Axial slice 258 of 439 of a contrast-enhanced abdominal CT (slice 1 is the lowest), 100 kVp, kernel I40f; 2.00 mm slice thickness and 0.850 mm pixels.
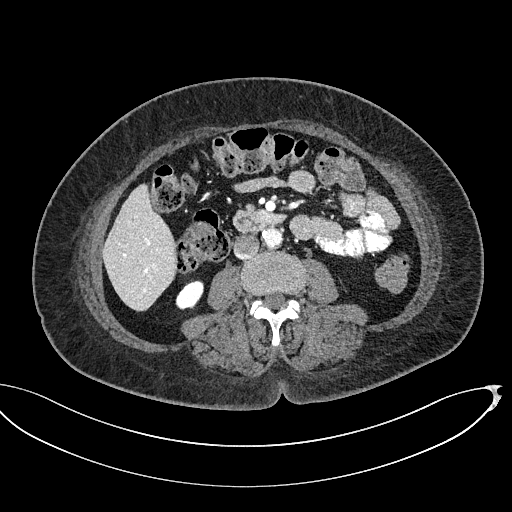
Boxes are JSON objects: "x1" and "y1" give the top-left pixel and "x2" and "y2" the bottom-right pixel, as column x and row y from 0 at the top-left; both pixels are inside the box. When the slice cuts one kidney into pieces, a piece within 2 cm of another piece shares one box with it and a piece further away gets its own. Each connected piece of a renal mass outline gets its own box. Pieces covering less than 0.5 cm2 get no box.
Right kidney, box {"x1": 175, "y1": 280, "x2": 203, "y2": 309} (outlined area 615 px, about 4.4 cm2). No renal mass is outlined on this slice.